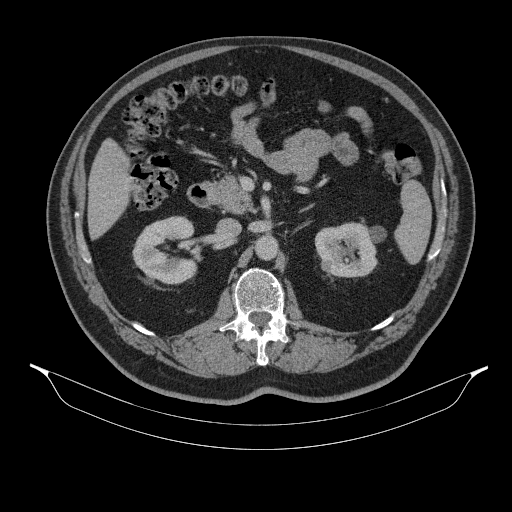
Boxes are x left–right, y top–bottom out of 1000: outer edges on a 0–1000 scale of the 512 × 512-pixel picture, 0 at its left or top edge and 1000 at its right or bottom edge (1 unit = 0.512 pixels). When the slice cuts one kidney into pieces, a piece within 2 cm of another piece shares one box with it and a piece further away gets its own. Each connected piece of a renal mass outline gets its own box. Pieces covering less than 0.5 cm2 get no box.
Contrast-enhanced abdominal CT, axial slice 209 of 314 (counted from the lowest slice); 2.50 mm thick, 0.934 mm per pixel. Boxed on this slice (two kidney boxes), listed by box centre from the image's left to its right: (1) Right kidney at x 258–389, y 422–557 out of 1000 (outlined area 3,302 px, about 28.8 cm2). (2) Left kidney, box x 613–756, y 434–543 out of 1000 (outlined area 3,045 px, about 26.5 cm2). No renal mass is outlined on this slice.
Acquired at 130 kVp and reconstructed with the B31s kernel.